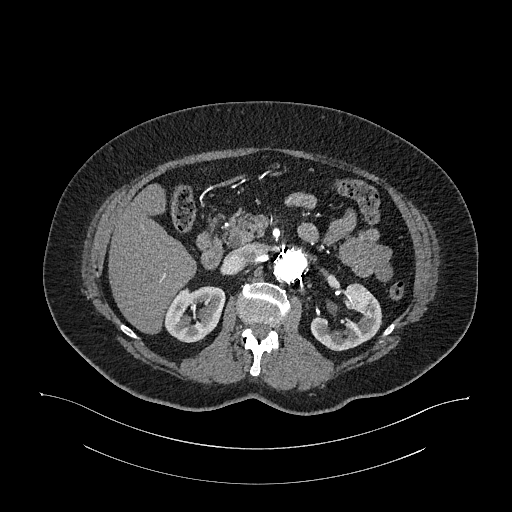
One axial slice (686 of 987, counting up from the lowest) of an arterial-phase abdominal CT acquired with 120 kVp, kernel I26f; each pixel is 0.977 mm and the slice is 1.00 mm thick.
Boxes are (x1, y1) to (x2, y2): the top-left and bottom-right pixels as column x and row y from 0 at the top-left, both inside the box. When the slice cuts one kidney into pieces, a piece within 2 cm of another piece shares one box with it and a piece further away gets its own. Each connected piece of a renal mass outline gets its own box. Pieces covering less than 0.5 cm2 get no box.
Two kidney boxes on this slice; by box centre, from the image's left to its right: (1) Box (164, 286) to (225, 342): right kidney (outlined area 2,562 px, about 24.4 cm2). (2) Box (310, 283) to (382, 351): left kidney (outlined area 2,800 px, about 26.7 cm2). No renal mass outline on this slice.